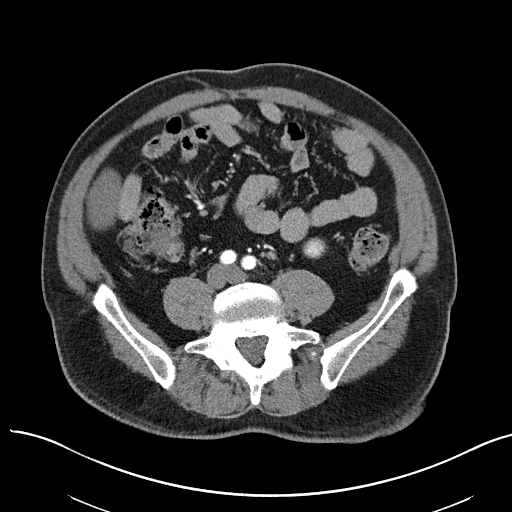
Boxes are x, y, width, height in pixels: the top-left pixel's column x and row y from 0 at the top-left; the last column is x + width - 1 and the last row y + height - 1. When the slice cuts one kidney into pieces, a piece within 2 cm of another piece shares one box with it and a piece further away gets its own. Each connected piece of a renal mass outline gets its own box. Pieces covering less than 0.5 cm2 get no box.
Arterial-phase contrast-enhanced abdominal CT, axial slice 5 of 97 (counted from the lowest slice); 3.00 mm thick, 0.797 mm per pixel. Left kidney, box x 303, y 237, width 25, height 22 (outlined area 397 px, about 2.5 cm2). No renal mass outline on this slice.
Tube voltage 100 kVp; convolution kernel I40f.